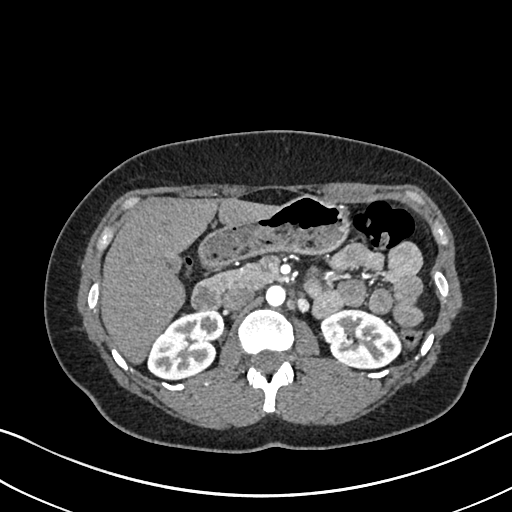
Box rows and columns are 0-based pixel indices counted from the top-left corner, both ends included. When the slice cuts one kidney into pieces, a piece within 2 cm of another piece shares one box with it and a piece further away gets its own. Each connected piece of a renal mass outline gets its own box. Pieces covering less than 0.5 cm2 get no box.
This is axial slice 424 of 612 (slice 1 is the lowest) of an arterial-phase abdominal CT with contrast; each pixel is 0.703 mm and the slice is 1.00 mm thick. Two kidney boxes on this slice; by box centre, from the image's left to its right: (1) Right kidney, box rows 309–379, columns 147–224 (outlined area 3,882 px, about 19.2 cm2). (2) Left kidney, box rows 306–369, columns 320–401 (outlined area 3,745 px, about 18.5 cm2). No renal mass outline on this slice.
Scan settings: 120 kVp, I30f reconstruction kernel.